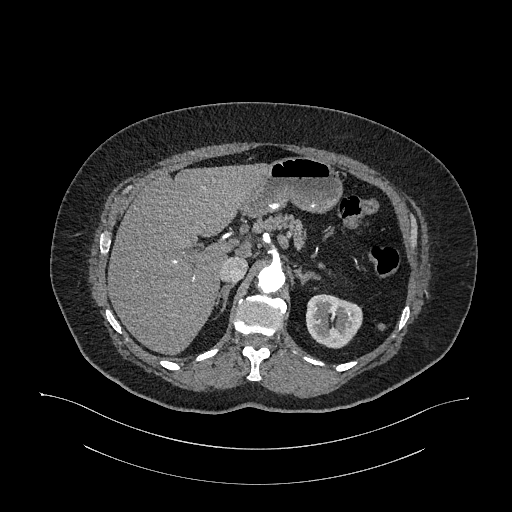
Arterial-phase contrast-enhanced abdominal CT, axial slice 763 of 987 (counted from the lowest slice); tube voltage 120 kVp, convolution kernel I26f; slices 1.00 mm thick, 0.977 mm per pixel.
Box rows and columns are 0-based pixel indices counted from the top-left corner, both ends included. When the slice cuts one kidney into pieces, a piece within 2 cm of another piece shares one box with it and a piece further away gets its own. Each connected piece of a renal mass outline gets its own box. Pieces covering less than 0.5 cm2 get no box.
Left kidney, box rows 294–348, columns 306–362 (outlined area 2,420 px, about 23.1 cm2). No renal mass outline on this slice.